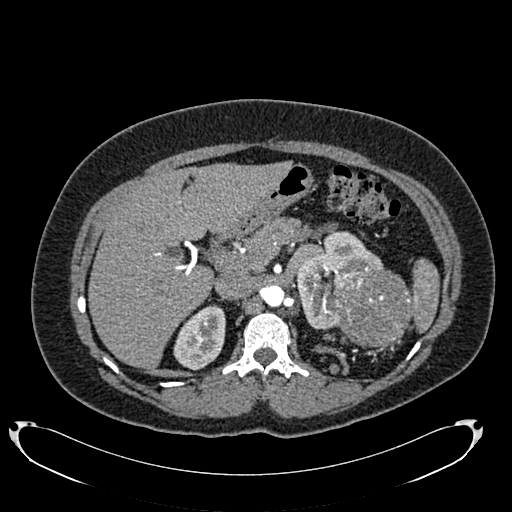
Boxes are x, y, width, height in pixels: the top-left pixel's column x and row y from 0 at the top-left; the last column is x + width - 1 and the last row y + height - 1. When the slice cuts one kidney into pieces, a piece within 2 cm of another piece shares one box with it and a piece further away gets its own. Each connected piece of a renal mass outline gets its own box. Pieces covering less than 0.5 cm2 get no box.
This is axial slice 503 of 634 (slice 1 is the lowest) of an arterial-phase abdominal CT with contrast; each pixel is 0.838 mm and the slice is 1.00 mm thick. Boxed on this slice (two kidney boxes and one renal mass box), listed by box centre from the image's left to its right: (1) Right kidney, box x 173, y 304, width 53, height 67 (outlined area 2,498 px, about 17.5 cm2). (2) Box x 295, y 231, width 90, height 99: left kidney (outlined area 4,204 px, about 29.5 cm2). (3) Left renal mass at x 335, y 269, width 78, height 80 (outlined area 5,090 px, about 35.7 cm2).
Tube voltage 120 kVp; convolution kernel B20f.